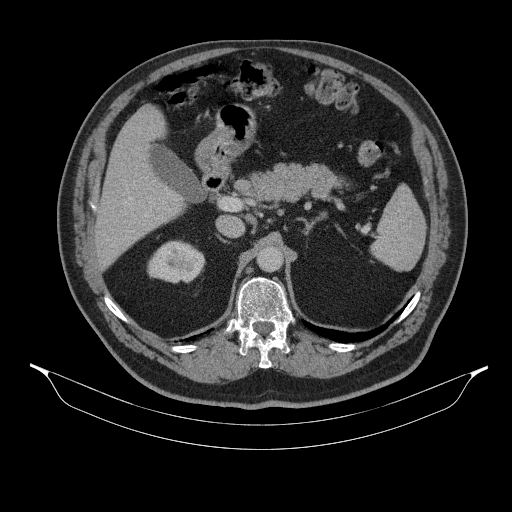
Axial slice 230 of 314 of a contrast-enhanced abdominal CT (slice 1 is the lowest), 130 kVp, kernel B31s; 2.50 mm slice thickness and 0.934 mm pixels.
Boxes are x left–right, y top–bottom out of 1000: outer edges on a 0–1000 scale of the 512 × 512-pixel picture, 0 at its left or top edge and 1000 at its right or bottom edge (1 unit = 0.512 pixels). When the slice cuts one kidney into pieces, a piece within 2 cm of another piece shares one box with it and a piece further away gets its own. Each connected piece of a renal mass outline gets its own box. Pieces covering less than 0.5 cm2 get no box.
Right kidney at x 287–402, y 469–555 out of 1000 (outlined area 1,940 px, about 16.9 cm2). No renal mass is outlined on this slice.